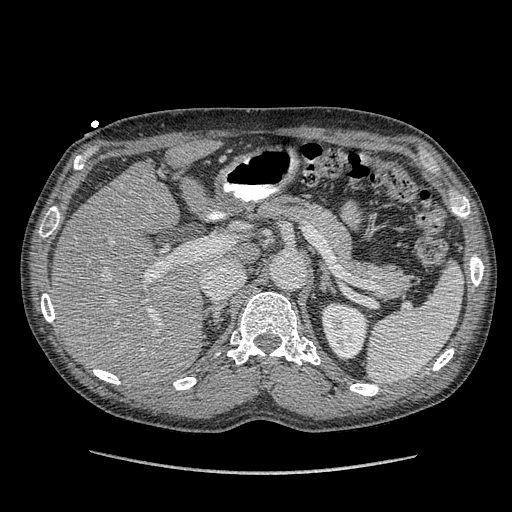
One axial slice (254 of 349, counting up from the lowest) of an arterial-phase abdominal CT acquired with 120 kVp, kernel STANDARD; each pixel is 0.742 mm and the slice is 1.25 mm thick.
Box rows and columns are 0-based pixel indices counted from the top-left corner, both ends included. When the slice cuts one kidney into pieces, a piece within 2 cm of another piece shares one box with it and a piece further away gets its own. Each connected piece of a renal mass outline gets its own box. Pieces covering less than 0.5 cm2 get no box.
Box rows 302–361, columns 321–368: left kidney (outlined area 2,136 px, about 11.8 cm2). No renal mass is outlined on this slice.